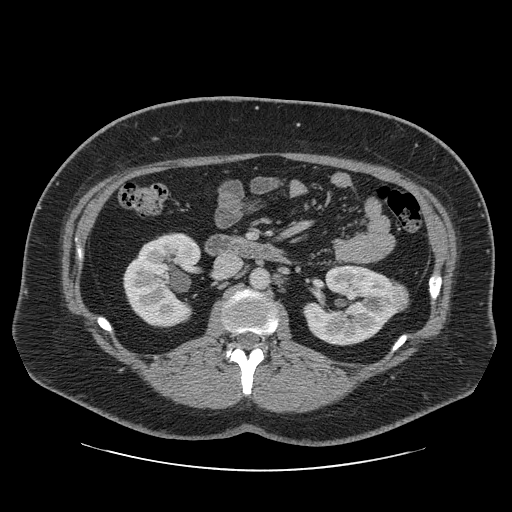
Axial slice 32 of 69 of a contrast-enhanced abdominal CT in the arterial phase (slice 1 is the lowest), 120 kVp, kernel STANDARD; 2.50 mm slice thickness and 0.846 mm pixels.
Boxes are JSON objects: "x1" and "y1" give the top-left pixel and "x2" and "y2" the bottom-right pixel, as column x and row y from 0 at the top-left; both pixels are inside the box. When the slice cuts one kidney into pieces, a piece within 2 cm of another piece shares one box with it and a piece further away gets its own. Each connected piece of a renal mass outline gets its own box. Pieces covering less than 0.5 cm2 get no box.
Two kidney boxes and one renal mass box on this slice; by box centre, from the image's left to its right: (1) Box {"x1": 123, "y1": 232, "x2": 200, "y2": 327}: right kidney (outlined area 5,451 px, about 39.0 cm2). (2) Left kidney, box {"x1": 303, "y1": 263, "x2": 398, "y2": 345} (outlined area 5,405 px, about 38.7 cm2). (3) Box {"x1": 387, "y1": 283, "x2": 409, "y2": 311}: left renal mass (outlined area 507 px, about 3.6 cm2).